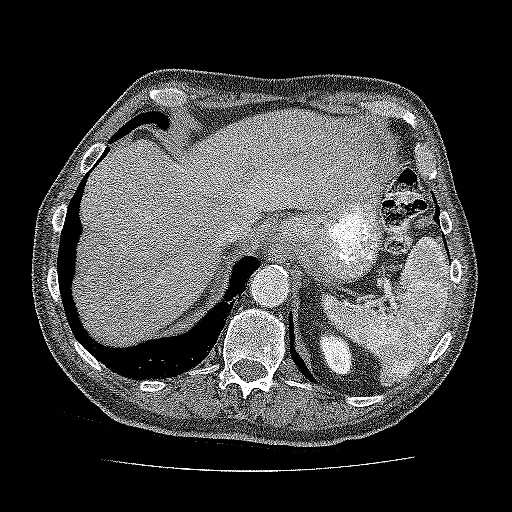
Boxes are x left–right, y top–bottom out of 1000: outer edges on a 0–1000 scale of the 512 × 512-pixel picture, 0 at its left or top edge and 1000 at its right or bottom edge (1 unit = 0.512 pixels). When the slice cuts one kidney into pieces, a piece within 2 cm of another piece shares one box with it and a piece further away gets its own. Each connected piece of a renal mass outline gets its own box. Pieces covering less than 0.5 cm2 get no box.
Slice 118/137 of a contrast-enhanced abdominal CT, counting up from the lowest; pixel size 0.741 mm, slice thickness 3.00 mm. Kidney at x 623–691, y 648–734 out of 1000 (outlined area 1,097 px, about 6.0 cm2). No renal mass is outlined on this slice.
Scan settings: 120 kVp, FC52 reconstruction kernel.